Contrast-enhanced abdominal CT, axial slice 238 of 433 (counted from the lowest slice); tube voltage 120 kVp, convolution kernel B30f; slices 1.00 mm thick, 0.672 mm per pixel.
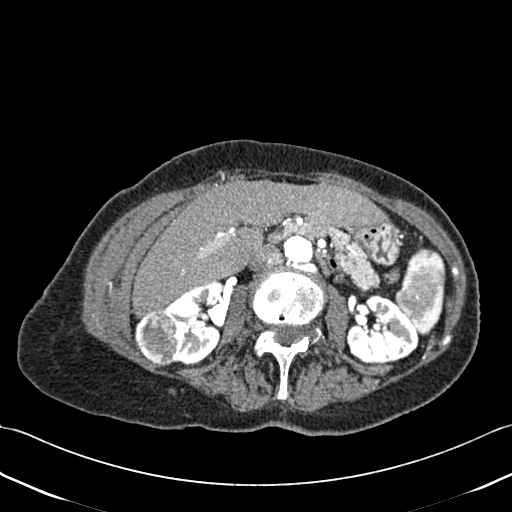
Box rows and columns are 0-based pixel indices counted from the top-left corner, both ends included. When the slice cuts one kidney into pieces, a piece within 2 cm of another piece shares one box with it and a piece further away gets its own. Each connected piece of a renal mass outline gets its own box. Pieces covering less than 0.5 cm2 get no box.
Three boxes on this slice (two kidney boxes and one renal mass box), listed by box centre from the image's left to its right. (1) Right renal mass at rows 310–366, columns 134–182 (outlined area 2,095 px, about 9.5 cm2). (2) Right kidney, box rows 282–365, columns 164–222 (outlined area 3,200 px, about 14.4 cm2). (3) Box rows 293–365, columns 346–419: left kidney (outlined area 3,633 px, about 16.4 cm2).